Contrast-enhanced abdominal CT, axial slice 37 of 57 (counted from the lowest slice); tube voltage 120 kVp, convolution kernel B31f; slices 5.00 mm thick, 0.732 mm per pixel.
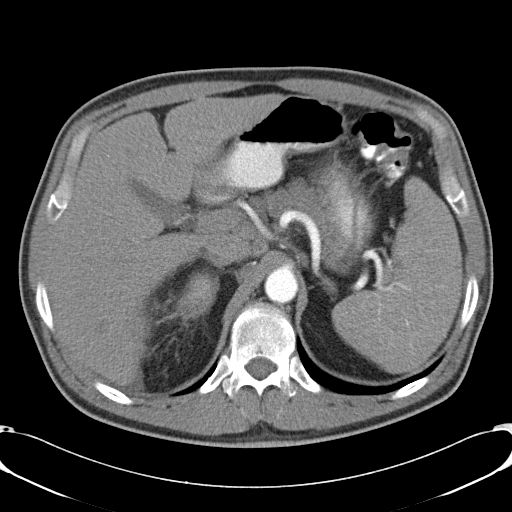
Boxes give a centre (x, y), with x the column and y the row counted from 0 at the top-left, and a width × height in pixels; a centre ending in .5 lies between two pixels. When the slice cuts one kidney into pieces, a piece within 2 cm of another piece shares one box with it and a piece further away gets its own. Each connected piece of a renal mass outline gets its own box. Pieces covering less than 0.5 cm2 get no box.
Right kidney in a box with centre (197, 294.5), 45 × 50 pixels (outlined area 1,502 px, about 8.1 cm2). No renal mass outline on this slice.